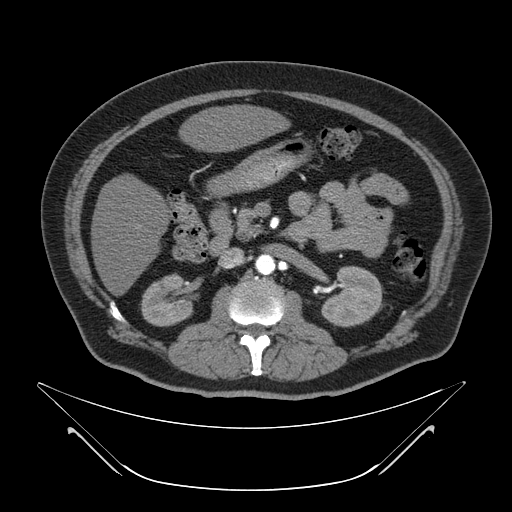
Contrast-enhanced abdominal CT, axial slice 28 of 64 (counted from the lowest slice); tube voltage 120 kVp, convolution kernel B; slices 4.00 mm thick, 0.977 mm per pixel.
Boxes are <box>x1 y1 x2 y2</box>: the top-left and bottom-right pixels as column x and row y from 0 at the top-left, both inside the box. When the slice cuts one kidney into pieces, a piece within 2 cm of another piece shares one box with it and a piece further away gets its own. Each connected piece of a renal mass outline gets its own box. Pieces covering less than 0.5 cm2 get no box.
Boxed on this slice (two kidney boxes), listed by box centre from the image's left to its right: (1) At <box>141 273 193 326</box>: right kidney (outlined area 2,124 px, about 20.3 cm2). (2) Left kidney at <box>321 266 382 327</box> (outlined area 2,811 px, about 26.8 cm2). This slice carries no renal mass outline.